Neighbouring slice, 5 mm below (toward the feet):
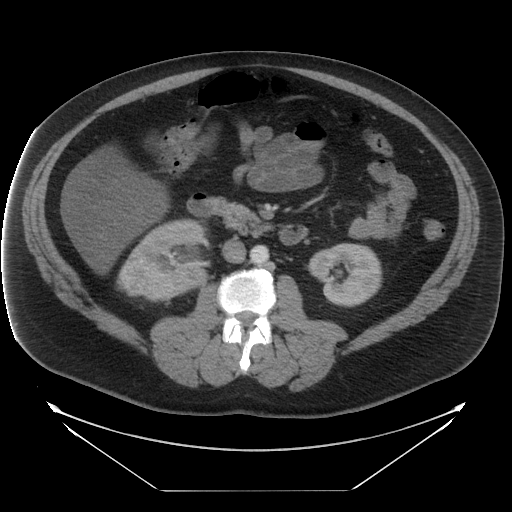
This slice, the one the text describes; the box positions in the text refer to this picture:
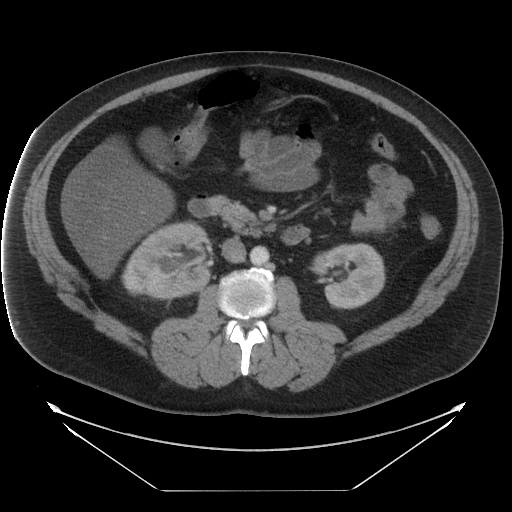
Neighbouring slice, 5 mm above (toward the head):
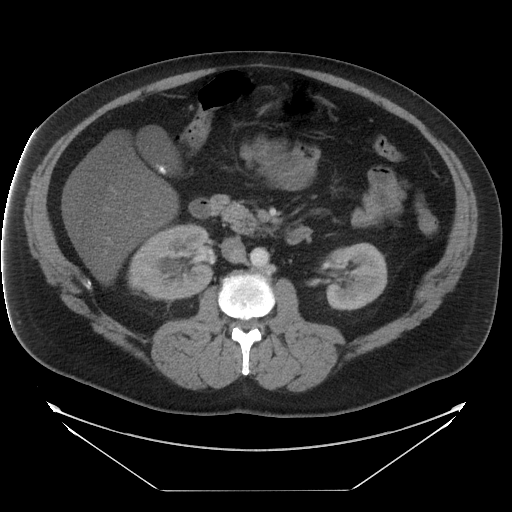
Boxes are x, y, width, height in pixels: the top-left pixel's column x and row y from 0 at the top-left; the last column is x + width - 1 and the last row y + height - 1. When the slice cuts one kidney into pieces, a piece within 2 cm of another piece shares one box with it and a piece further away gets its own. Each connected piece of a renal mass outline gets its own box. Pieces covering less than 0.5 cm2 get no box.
This is axial slice 14 of 29 (slice 1 is the lowest) of an abdominal CT with contrast; each pixel is 0.977 mm and the slice is 5.00 mm thick. Boxed on this slice (two kidney boxes and one renal mass box), listed by box centre from the image's left to its right: (1) Box x 121, y 270, width 48, height 30: right renal mass (outlined area 980 px, about 9.3 cm2). (2) Box x 123, y 221, width 89, height 79: right kidney (outlined area 4,435 px, about 42.3 cm2). (3) Left kidney at x 312, y 243, width 74, height 67 (outlined area 3,722 px, about 35.5 cm2). This slice lies near the end of the right renal mass toward the head; the slices 5 mm below and 5 mm above it are shown too, and the boxes mark positions on this slice only.
Acquired at 120 kVp and reconstructed with the STANDARD kernel.